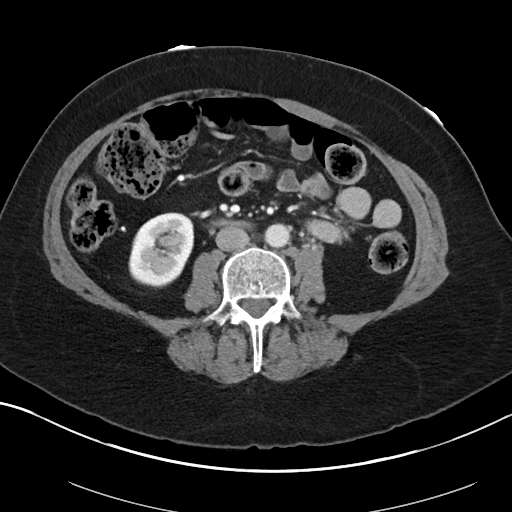
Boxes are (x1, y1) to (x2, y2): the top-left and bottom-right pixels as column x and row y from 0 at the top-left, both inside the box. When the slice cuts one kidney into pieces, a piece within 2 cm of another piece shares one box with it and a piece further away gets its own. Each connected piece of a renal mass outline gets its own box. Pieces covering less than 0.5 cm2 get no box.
Slice 46/88 of a contrast-enhanced abdominal CT in the arterial phase, counting up from the lowest; pixel size 0.705 mm, slice thickness 5.00 mm. Right kidney from (128, 213) to (194, 287) (outlined area 3,803 px, about 18.9 cm2). This slice carries no renal mass outline.
Acquired at 100 kVp and reconstructed with the I40f kernel.